Abdominal CT with intravenous contrast, axial plane, 120 kVp, kernel B41f. Slice 53/91 from the bottom of the scan; thickness 5.00 mm; pixel size 0.762 mm.
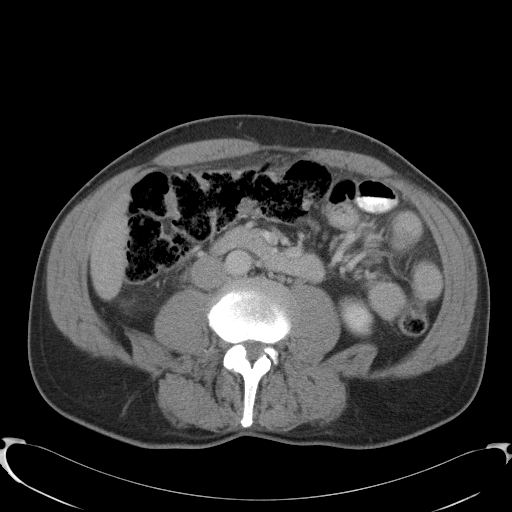
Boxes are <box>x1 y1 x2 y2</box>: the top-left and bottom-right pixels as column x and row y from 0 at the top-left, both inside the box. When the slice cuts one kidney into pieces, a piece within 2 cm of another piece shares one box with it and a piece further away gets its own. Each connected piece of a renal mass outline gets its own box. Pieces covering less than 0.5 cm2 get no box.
Left kidney: <box>338 297 373 337</box> (outlined area 1,092 px, about 6.3 cm2). This slice carries no renal mass outline.